Abdominal CT with intravenous contrast, axial plane, 120 kVp, kernel STANDARD. Slice 65/103 from the bottom of the scan; thickness 2.50 mm; pixel size 0.736 mm.
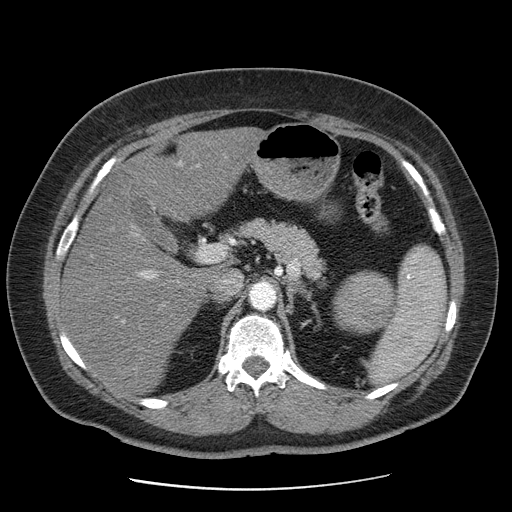
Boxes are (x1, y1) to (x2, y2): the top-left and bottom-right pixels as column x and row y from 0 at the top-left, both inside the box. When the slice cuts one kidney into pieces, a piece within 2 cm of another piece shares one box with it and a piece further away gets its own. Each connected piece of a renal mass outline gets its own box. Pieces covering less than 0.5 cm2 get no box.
Box (332, 270) to (396, 334): left renal mass (outlined area 3,181 px, about 17.2 cm2); this slice has no kidney outline, though on another slice the same outlined renal mass lies within 1 cm of the kidney.